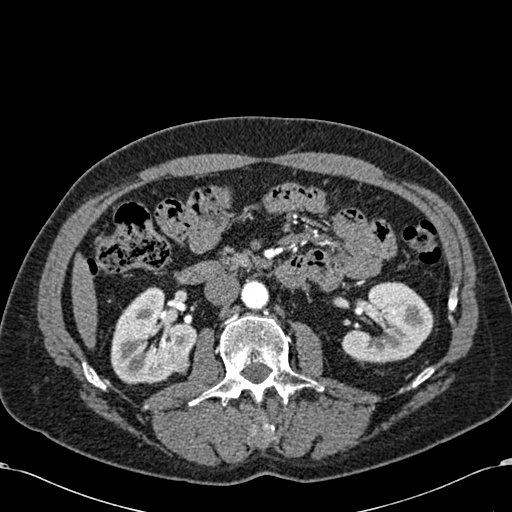
Abdominal CT with intravenous contrast, arterial phase, axial plane, 120 kVp, kernel B30f. Slice 339/581 from the bottom of the scan; thickness 1.00 mm; pixel size 0.713 mm.
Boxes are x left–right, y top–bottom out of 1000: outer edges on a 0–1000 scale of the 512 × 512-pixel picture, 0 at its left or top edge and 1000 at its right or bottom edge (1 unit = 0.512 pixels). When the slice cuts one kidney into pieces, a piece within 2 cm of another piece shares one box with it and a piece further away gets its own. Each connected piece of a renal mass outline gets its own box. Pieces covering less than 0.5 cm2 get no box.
Boxed on this slice (two kidney boxes and one renal mass box), listed by box centre from the image's left to its right: (1) Right kidney, box x 215–387, y 559–752 out of 1000 (outlined area 5,680 px, about 28.9 cm2). (2) Right renal mass at x 326–371, y 688–732 out of 1000 (outlined area 393 px, about 2.0 cm2). (3) Left kidney, box x 666–848, y 549–709 out of 1000 (outlined area 5,180 px, about 26.3 cm2).